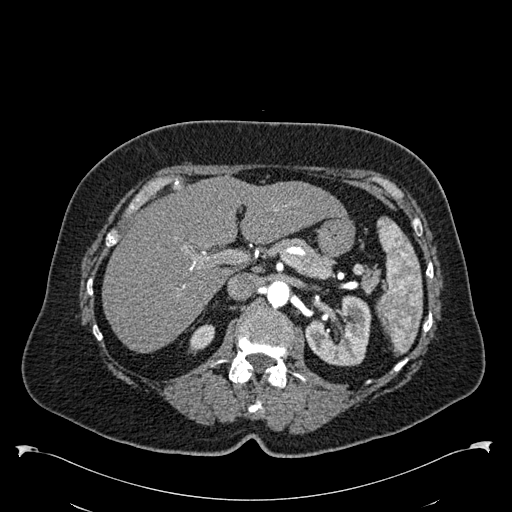
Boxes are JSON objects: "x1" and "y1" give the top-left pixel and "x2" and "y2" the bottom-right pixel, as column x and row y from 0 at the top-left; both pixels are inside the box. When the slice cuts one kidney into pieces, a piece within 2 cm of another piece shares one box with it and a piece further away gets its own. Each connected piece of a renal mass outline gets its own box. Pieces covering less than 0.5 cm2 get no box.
Arterial-phase contrast-enhanced abdominal CT, axial slice 382 of 538 (counted from the lowest slice); 1.00 mm thick, 0.811 mm per pixel. Two boxes on this slice (two kidney boxes), listed by box centre from the image's left to its right. (1) Right kidney at {"x1": 188, "y1": 324, "x2": 214, "y2": 354} (outlined area 529 px, about 3.5 cm2). (2) Left kidney, box {"x1": 304, "y1": 295, "x2": 371, "y2": 366} (outlined area 3,388 px, about 22.3 cm2). This slice carries no renal mass outline.
Tube voltage 120 kVp; convolution kernel B30f.